Axial slice 56 of 143 of a contrast-enhanced abdominal CT (slice 1 is the lowest), 100 kVp, kernel I41f; 5.00 mm slice thickness and 0.734 mm pixels.
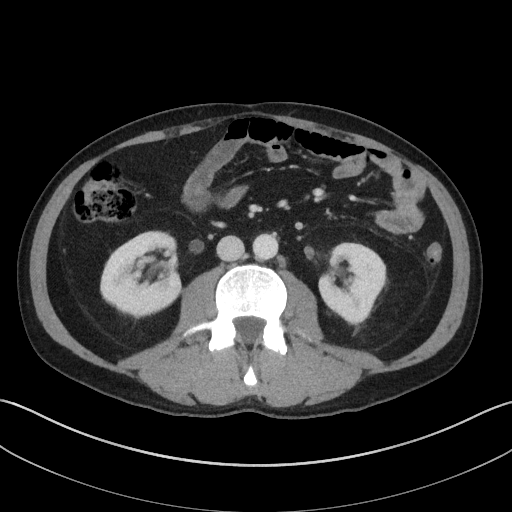
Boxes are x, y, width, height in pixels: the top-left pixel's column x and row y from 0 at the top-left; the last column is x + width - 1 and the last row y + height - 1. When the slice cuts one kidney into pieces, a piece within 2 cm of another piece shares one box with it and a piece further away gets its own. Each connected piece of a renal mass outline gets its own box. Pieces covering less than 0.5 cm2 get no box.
Two boxes on this slice (two kidney boxes), listed by box centre from the image's left to its right. (1) Right kidney at x 100, y 230, width 82, height 90 (outlined area 5,511 px, about 29.7 cm2). (2) Left kidney, box x 318, y 242, width 70, height 83 (outlined area 4,124 px, about 22.2 cm2). No renal mass is outlined on this slice.